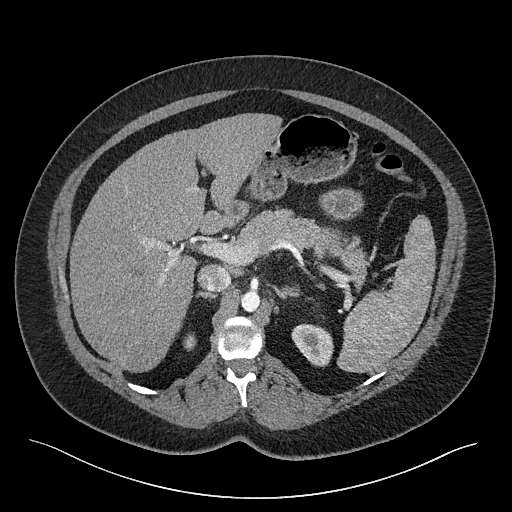
One axial slice (173 of 301, counting up from the lowest) of a contrast-enhanced abdominal CT acquired with 120 kVp, kernel I40f; each pixel is 0.859 mm and the slice is 2.00 mm thick.
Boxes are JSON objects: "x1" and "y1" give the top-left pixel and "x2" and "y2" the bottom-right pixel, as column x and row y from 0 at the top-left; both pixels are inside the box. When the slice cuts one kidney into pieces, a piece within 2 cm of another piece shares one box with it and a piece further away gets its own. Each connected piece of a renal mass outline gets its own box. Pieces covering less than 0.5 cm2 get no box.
Boxed on this slice (two kidney boxes), listed by box centre from the image's left to its right: (1) Right kidney, box {"x1": 183, "y1": 333, "x2": 196, "y2": 351} (outlined area 180 px, about 1.3 cm2). (2) Left kidney at {"x1": 291, "y1": 323, "x2": 333, "y2": 367} (outlined area 1,343 px, about 9.9 cm2). No renal mass is outlined on this slice.